Axial slice 55 of 88 of a contrast-enhanced abdominal CT in the arterial phase (slice 1 is the lowest), 100 kVp, kernel I40f; 5.00 mm slice thickness and 0.705 mm pixels.
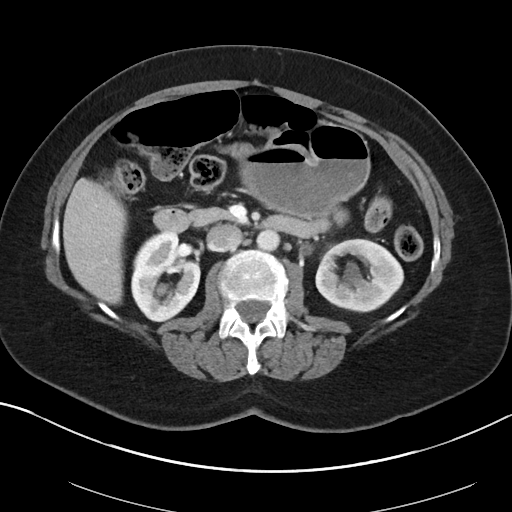
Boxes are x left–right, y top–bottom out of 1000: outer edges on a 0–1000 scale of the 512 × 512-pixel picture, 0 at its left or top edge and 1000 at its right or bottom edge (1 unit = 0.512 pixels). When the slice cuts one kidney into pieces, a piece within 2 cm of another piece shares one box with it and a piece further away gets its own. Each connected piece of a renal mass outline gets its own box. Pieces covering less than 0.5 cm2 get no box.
Two kidney boxes on this slice; by box centre, from the image's left to its right: (1) Box x 256–393, y 449–631 out of 1000: right kidney (outlined area 4,567 px, about 22.7 cm2). (2) Left kidney at x 615–791, y 465–611 out of 1000 (outlined area 4,771 px, about 23.7 cm2). No renal mass outline on this slice.